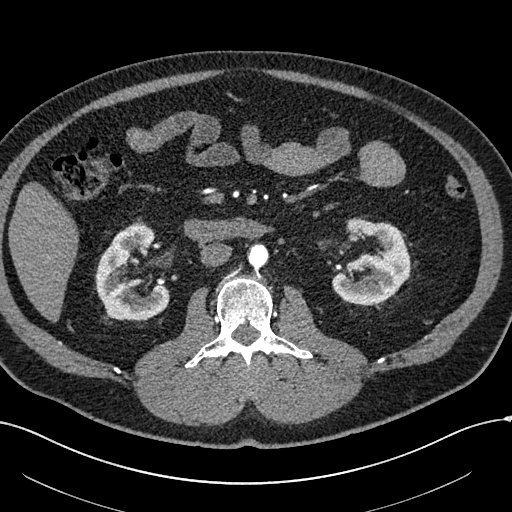
Axial slice 300 of 602 of a contrast-enhanced abdominal CT in the arterial phase (slice 1 is the lowest), 120 kVp, kernel I30f; 1.00 mm slice thickness and 0.799 mm pixels.
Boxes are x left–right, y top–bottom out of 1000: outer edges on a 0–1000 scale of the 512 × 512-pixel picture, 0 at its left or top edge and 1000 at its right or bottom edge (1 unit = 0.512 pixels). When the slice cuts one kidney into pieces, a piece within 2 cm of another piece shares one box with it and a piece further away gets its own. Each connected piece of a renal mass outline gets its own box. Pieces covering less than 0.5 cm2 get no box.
Boxed on this slice (two kidney boxes), listed by box centre from the image's left to its right: (1) Right kidney at x 186–334, y 436–627 out of 1000 (outlined area 4,789 px, about 30.6 cm2). (2) Left kidney at x 648–803, y 424–598 out of 1000 (outlined area 4,752 px, about 30.3 cm2). No renal mass is outlined on this slice.